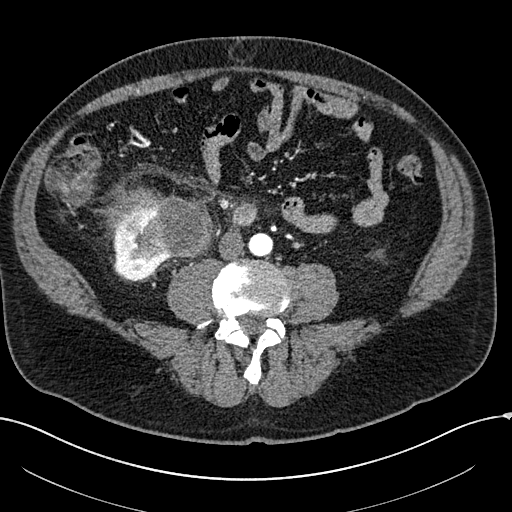
Abdominal CT with intravenous contrast, arterial phase, axial plane, 100 kVp, kernel I30f. Slice 42/304 from the bottom of the scan; thickness 2.00 mm; pixel size 0.809 mm.
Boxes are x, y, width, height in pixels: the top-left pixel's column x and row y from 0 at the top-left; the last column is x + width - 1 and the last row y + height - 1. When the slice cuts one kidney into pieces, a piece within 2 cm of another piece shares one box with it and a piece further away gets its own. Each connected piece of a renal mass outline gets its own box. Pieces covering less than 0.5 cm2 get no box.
Two boxes on this slice (one kidney box and one renal mass box), listed by box centre from the image's left to its right. (1) Right kidney, box x 111, y 210, width 59, height 73 (outlined area 2,271 px, about 14.8 cm2). (2) Box x 105, y 186, width 109, height 77: right renal mass (outlined area 5,022 px, about 32.8 cm2).